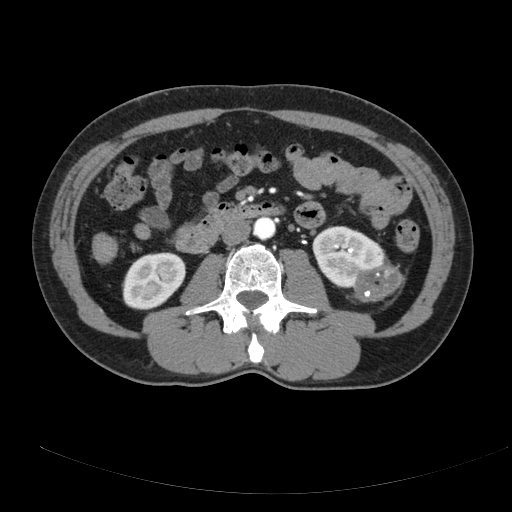
Contrast-enhanced abdominal CT, axial slice 98 of 178 (counted from the lowest slice); tube voltage 120 kVp, convolution kernel B; slices 3.00 mm thick, 0.818 mm per pixel.
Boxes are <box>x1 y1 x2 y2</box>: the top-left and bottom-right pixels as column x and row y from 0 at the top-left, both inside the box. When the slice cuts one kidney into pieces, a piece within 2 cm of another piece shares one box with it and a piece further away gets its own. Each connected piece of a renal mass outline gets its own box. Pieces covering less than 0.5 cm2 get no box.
Boxed on this slice (two kidney boxes and one renal mass box), listed by box centre from the image's left to its right: (1) At <box>122 252 186 310</box>: right kidney (outlined area 2,823 px, about 18.9 cm2). (2) At <box>312 226 390 288</box>: left kidney (outlined area 3,054 px, about 20.5 cm2). (3) Left renal mass: <box>353 263 403 302</box> (outlined area 1,469 px, about 9.8 cm2).